One axial slice (331 of 738, counting up from the lowest) of an arterial-phase abdominal CT acquired with 120 kVp, kernel I30f; each pixel is 0.789 mm and the slice is 1.00 mm thick.
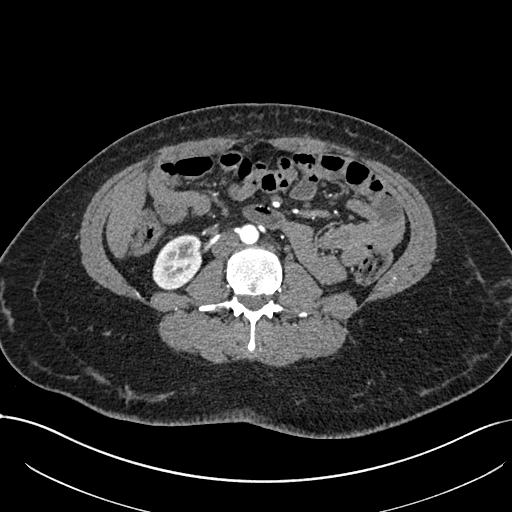
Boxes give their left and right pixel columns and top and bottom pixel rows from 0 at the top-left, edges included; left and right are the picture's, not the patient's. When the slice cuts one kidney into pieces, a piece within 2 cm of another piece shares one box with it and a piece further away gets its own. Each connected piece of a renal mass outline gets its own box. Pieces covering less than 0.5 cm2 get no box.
Right kidney in the box with left 152, top 234, right 202, bottom 290 (outlined area 2,143 px, about 13.3 cm2). This slice carries no renal mass outline.